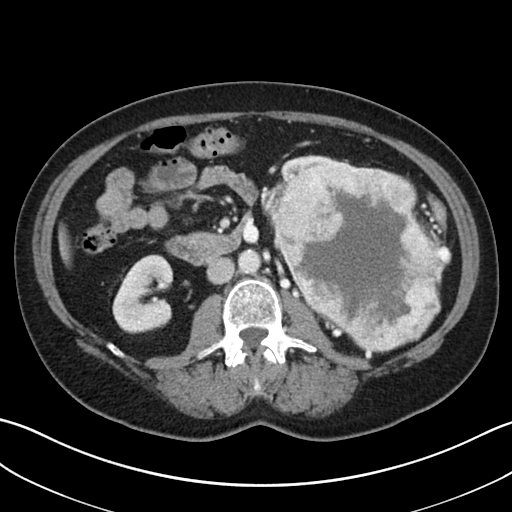
Abdominal CT with intravenous contrast, axial plane, 100 kVp, kernel I30f. Slice 13/38 from the bottom of the scan; thickness 5.00 mm; pixel size 0.730 mm.
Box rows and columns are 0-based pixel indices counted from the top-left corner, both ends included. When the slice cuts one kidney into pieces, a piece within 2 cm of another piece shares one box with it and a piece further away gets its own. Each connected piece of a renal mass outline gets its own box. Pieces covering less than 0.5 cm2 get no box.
Three boxes on this slice (two kidney boxes and one renal mass box), listed by box centre from the image's left to its right. (1) Box rows 254–333, columns 112–173: right kidney (outlined area 3,621 px, about 19.3 cm2). (2) Left kidney, box rows 154–182, columns 279–336 (outlined area 641 px, about 3.4 cm2). (3) Left renal mass, box rows 160–353, columns 260–451 (outlined area 24,637 px, about 131.5 cm2).